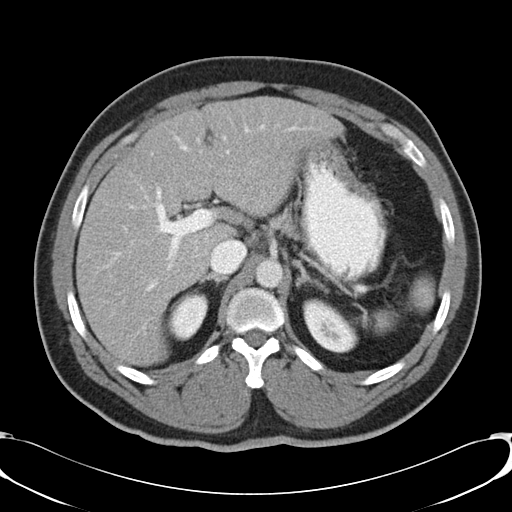
Abdominal CT with intravenous contrast, axial plane, 120 kVp, kernel B30f. Slice 30/48 from the bottom of the scan; thickness 5.00 mm; pixel size 0.736 mm.
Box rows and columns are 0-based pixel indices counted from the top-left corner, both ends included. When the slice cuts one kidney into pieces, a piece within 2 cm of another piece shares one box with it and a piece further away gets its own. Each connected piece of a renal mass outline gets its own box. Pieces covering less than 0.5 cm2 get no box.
Two kidney boxes on this slice; by box centre, from the image's left to its right: (1) Box rows 292–341, columns 167–208: right kidney (outlined area 1,516 px, about 8.2 cm2). (2) Box rows 298–353, columns 302–358: left kidney (outlined area 2,088 px, about 11.3 cm2). This slice carries no renal mass outline.